Arterial-phase contrast-enhanced abdominal CT, axial slice 399 of 670 (counted from the lowest slice); tube voltage 120 kVp, convolution kernel I30f; slices 1.00 mm thick, 0.861 mm per pixel.
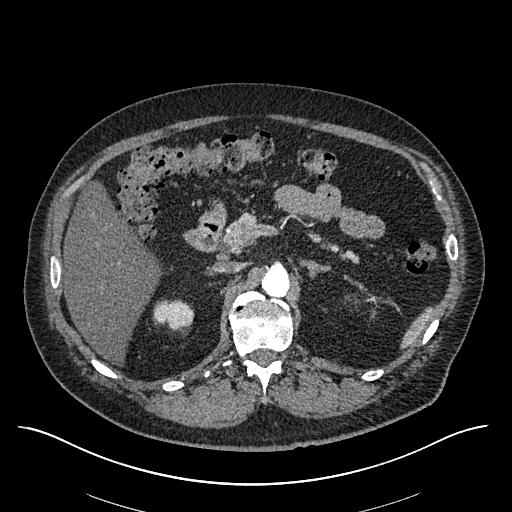
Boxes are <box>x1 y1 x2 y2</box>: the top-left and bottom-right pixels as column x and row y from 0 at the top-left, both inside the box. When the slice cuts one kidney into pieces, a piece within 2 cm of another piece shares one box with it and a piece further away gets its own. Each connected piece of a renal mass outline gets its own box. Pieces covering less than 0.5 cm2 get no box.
Right kidney: <box>153 299 193 329</box> (outlined area 945 px, about 7.0 cm2). No renal mass outline on this slice.